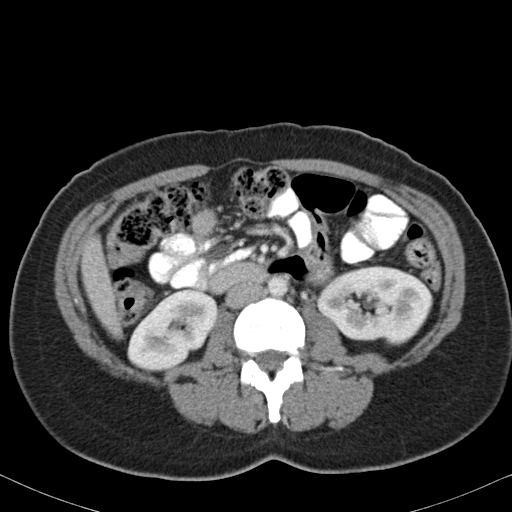
Axial slice 55 of 82 of a contrast-enhanced abdominal CT in the arterial phase (slice 1 is the lowest), 120 kVp, kernel B31f; 5.00 mm slice thickness and 0.625 mm pixels.
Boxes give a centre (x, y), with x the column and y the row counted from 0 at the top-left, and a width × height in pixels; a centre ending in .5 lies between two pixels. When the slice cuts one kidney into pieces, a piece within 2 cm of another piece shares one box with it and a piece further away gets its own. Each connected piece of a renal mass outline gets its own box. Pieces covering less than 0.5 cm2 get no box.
Two boxes on this slice (two kidney boxes), listed by box centre from the image's left to its right. (1) Right kidney, box centre (172.5, 330), 92 × 83 pixels (outlined area 5,076 px, about 19.8 cm2). (2) Left kidney, box centre (374, 305), 117 × 79 pixels (outlined area 6,751 px, about 26.4 cm2). No renal mass outline on this slice.